Axial slice 201 of 538 of a contrast-enhanced abdominal CT in the arterial phase (slice 1 is the lowest), 120 kVp, kernel B30f; 1.00 mm slice thickness and 0.811 mm pixels.
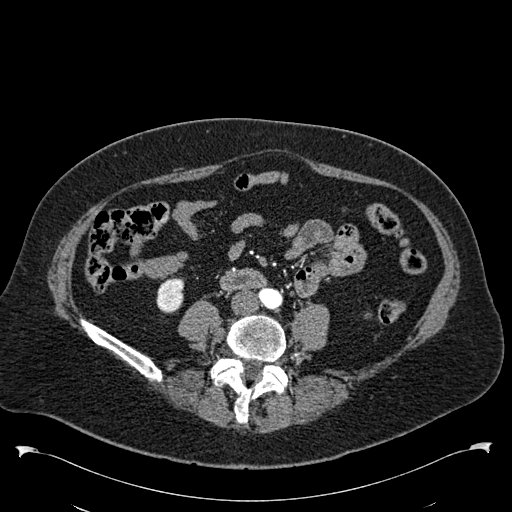
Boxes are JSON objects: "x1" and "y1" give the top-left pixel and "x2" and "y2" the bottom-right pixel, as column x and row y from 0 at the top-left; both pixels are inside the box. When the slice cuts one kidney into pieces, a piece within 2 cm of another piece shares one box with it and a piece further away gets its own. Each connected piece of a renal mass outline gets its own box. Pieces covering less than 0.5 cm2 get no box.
Box {"x1": 156, "y1": 277, "x2": 184, "y2": 313}: right kidney (outlined area 832 px, about 5.5 cm2).